Arterial-phase contrast-enhanced abdominal CT, axial slice 54 of 83 (counted from the lowest slice); tube voltage 120 kVp, convolution kernel STANDARD; slices 5.00 mm thick, 0.775 mm per pixel.
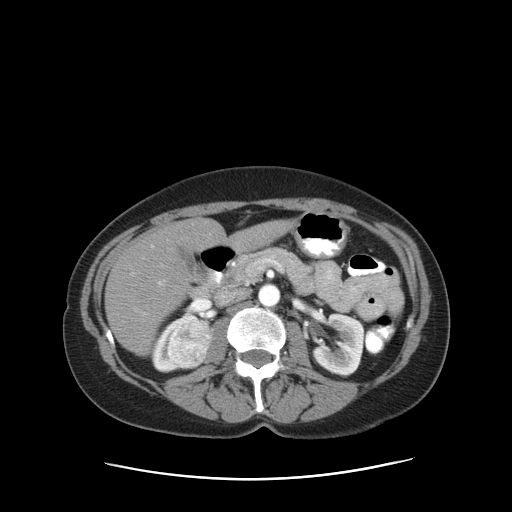
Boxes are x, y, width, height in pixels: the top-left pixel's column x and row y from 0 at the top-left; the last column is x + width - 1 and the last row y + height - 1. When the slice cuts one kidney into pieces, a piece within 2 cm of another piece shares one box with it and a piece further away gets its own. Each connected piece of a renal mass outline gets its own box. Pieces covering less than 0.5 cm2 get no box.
Boxed on this slice (two kidney boxes and one renal mass box), listed by box centre from the image's left to its right: (1) Right kidney at x 151, y 314, width 34, height 59 (outlined area 809 px, about 4.9 cm2). (2) Right renal mass, box x 166, y 313, width 48, height 57 (outlined area 1,929 px, about 11.6 cm2). (3) Box x 311, y 313, width 54, height 64: left kidney (outlined area 2,431 px, about 14.6 cm2).